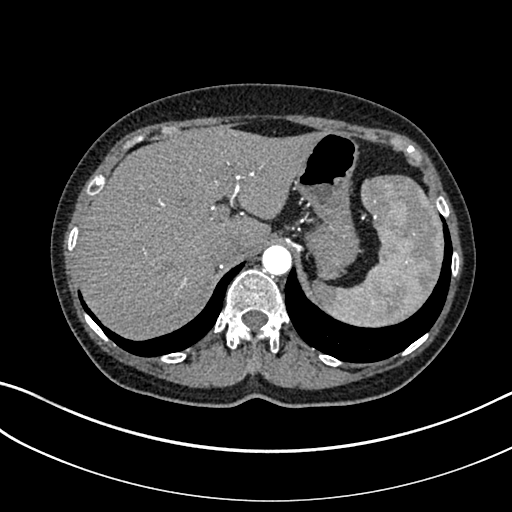
Axial slice 300 of 325 of a contrast-enhanced abdominal CT in the arterial phase (slice 1 is the lowest), 100 kVp, kernel I30f; 1.00 mm slice thickness and 0.703 mm pixels.
Outside the outlined region: no kidney outline and no renal mass outline on this slice. The scan's outlines cover only kidneys and renal masses; no other organ is outlined.